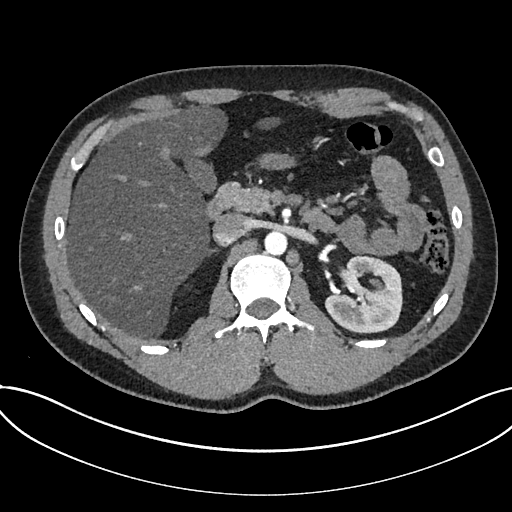
One axial slice (477 of 735, counting up from the lowest) of an arterial-phase abdominal CT acquired with 120 kVp, kernel I30f; each pixel is 0.789 mm and the slice is 1.00 mm thick.
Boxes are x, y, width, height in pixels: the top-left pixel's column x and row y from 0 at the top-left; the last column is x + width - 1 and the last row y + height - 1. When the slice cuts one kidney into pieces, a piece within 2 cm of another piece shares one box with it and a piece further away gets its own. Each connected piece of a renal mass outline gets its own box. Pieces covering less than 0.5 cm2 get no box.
Kidney at x 324, y 254, width 79, height 79 (outlined area 4,547 px, about 28.3 cm2). No renal mass is outlined on this slice.